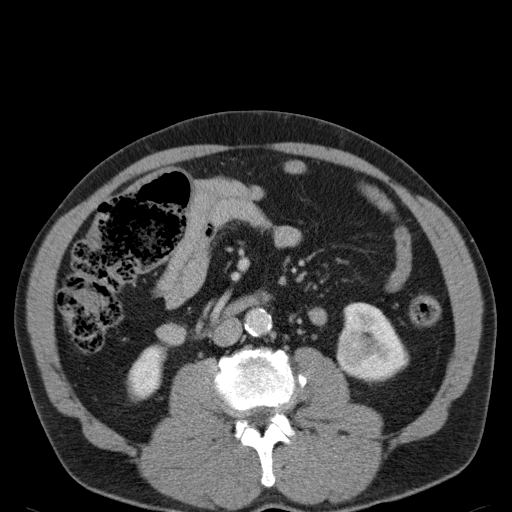
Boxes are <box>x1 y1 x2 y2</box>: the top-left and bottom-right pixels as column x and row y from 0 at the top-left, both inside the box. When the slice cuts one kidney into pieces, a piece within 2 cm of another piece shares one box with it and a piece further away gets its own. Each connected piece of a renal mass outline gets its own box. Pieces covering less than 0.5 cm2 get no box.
This is axial slice 60 of 107 (slice 1 is the lowest) of an abdominal CT with contrast; each pixel is 0.730 mm and the slice is 5.00 mm thick. Three boxes on this slice (two kidney boxes and one renal mass box), listed by box centre from the image's left to its right. (1) At <box>126 343 167 402</box>: right kidney (outlined area 1,634 px, about 8.7 cm2). (2) Left renal mass: <box>341 331 383 367</box> (outlined area 1,085 px, about 5.8 cm2). (3) Left kidney at <box>336 302 409 383</box> (outlined area 3,224 px, about 17.2 cm2).
Scan settings: 120 kVp, B31f reconstruction kernel.